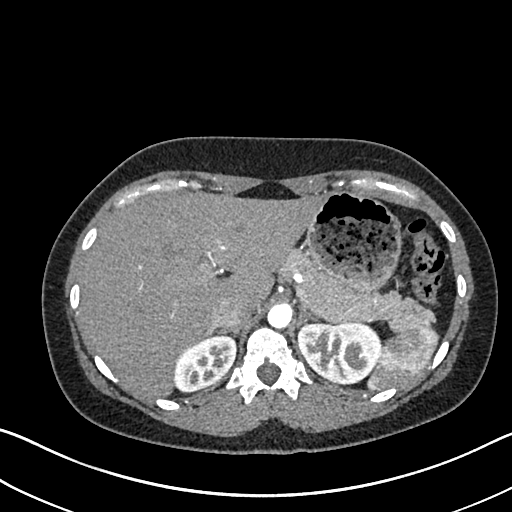
One axial slice (522 of 612, counting up from the lowest) of an arterial-phase abdominal CT acquired with 120 kVp, kernel I30f; each pixel is 0.703 mm and the slice is 1.00 mm thick.
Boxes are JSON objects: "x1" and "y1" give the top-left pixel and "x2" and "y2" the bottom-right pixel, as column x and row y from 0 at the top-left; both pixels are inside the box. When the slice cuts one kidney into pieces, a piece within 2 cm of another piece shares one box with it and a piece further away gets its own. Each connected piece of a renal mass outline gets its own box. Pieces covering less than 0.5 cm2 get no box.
Two kidney boxes on this slice; by box centre, from the image's left to its right: (1) Right kidney at {"x1": 174, "y1": 335, "x2": 237, "y2": 391} (outlined area 2,570 px, about 12.7 cm2). (2) Box {"x1": 297, "y1": 322, "x2": 380, "y2": 385}: left kidney (outlined area 4,172 px, about 20.6 cm2). No renal mass is outlined on this slice.